Abdominal CT with intravenous contrast, arterial phase, axial plane, 120 kVp, kernel I30f. Slice 145/261 from the bottom of the scan; thickness 2.00 mm; pixel size 0.939 mm.
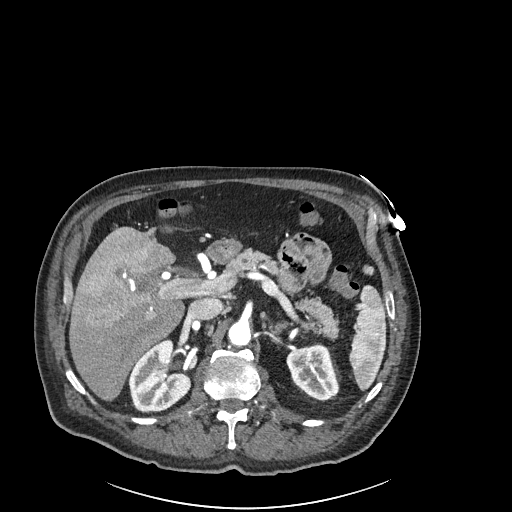
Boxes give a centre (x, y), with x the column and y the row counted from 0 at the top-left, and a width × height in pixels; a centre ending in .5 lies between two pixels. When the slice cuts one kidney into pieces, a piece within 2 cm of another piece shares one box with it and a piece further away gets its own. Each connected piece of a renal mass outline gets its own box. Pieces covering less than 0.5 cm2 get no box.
Two boxes on this slice (two kidney boxes), listed by box centre from the image's left to its right. (1) Right kidney in a box with centre (160, 375.5), 63 × 76 pixels (outlined area 3,305 px, about 29.2 cm2). (2) Left kidney in a box with centre (312.5, 372.5), 54 × 56 pixels (outlined area 2,119 px, about 18.7 cm2). This slice carries no renal mass outline.